Axial slice 181 of 1059 of a contrast-enhanced abdominal CT in the arterial phase (slice 1 is the lowest), 100 kVp, kernel I30f; 1.00 mm slice thickness and 0.811 mm pixels.
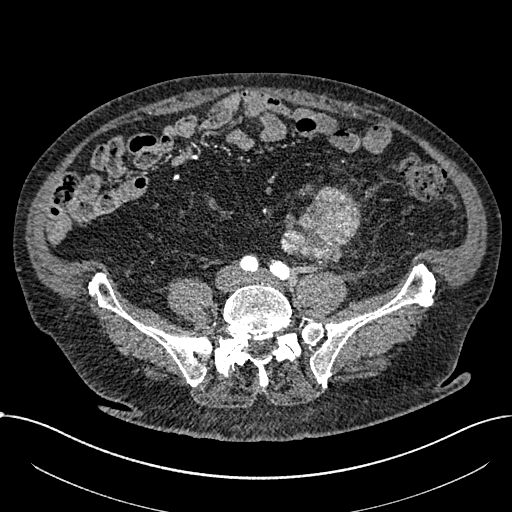
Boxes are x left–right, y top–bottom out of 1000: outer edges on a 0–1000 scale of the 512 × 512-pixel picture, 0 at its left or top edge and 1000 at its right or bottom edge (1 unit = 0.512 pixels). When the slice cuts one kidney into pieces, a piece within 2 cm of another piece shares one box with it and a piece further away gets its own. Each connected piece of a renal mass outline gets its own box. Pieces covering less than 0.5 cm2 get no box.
Renal mass at x 547–707, y 363–514 out of 1000 (outlined area 4,114 px, about 27.0 cm2); no kidney outline appears on this slice, but the same outlined renal mass comes within 1 cm of the kidney on another slice.